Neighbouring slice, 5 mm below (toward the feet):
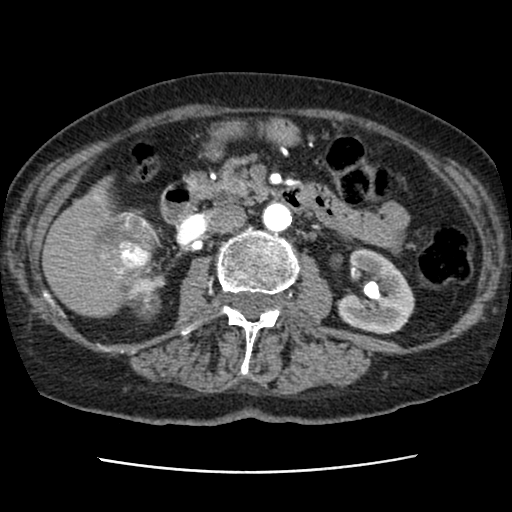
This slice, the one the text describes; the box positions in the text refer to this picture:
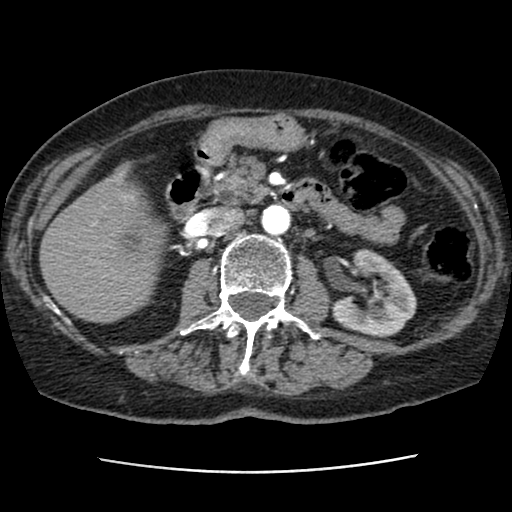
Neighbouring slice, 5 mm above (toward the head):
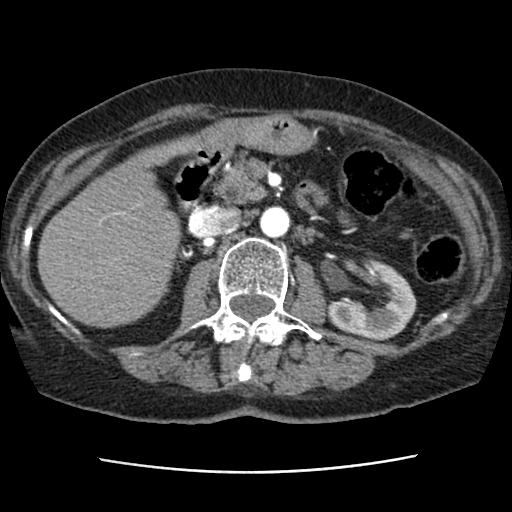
Axial slice 45 of 76 of a contrast-enhanced abdominal CT (slice 1 is the lowest), 120 kVp, kernel STANDARD; 2.50 mm slice thickness and 0.586 mm pixels.
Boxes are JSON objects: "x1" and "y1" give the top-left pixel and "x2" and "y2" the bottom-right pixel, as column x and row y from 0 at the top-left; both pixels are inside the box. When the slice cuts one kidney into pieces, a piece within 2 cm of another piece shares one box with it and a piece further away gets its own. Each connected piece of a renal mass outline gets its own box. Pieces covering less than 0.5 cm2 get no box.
Boxed on this slice (one kidney box and one renal mass box), listed by box centre from the image's left to its right: (1) Right renal mass, box {"x1": 123, "y1": 235, "x2": 140, "y2": 255} (outlined area 270 px, about 0.9 cm2); on this slice it lies more than 1 cm from any kidney outline, but the same outlined renal mass comes within 1 cm of the kidney on another slice. (2) Left kidney, box {"x1": 331, "y1": 248, "x2": 416, "y2": 337} (outlined area 4,939 px, about 17.0 cm2). This slice is near the end of the right renal mass toward the head, so the slices 5 mm below and 5 mm above it are shown as well; the boxes refer to this slice only.